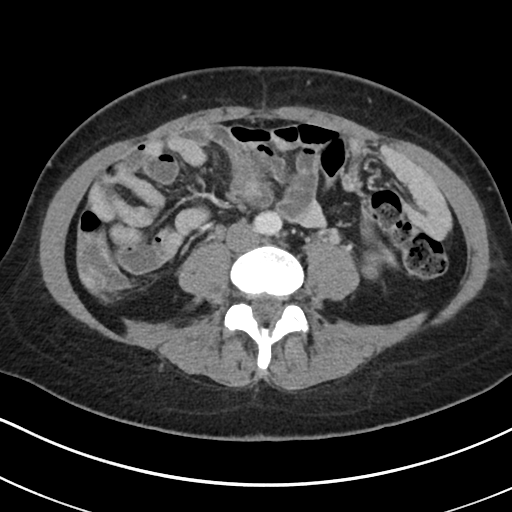
Axial slice 87 of 178 of a contrast-enhanced abdominal CT (slice 1 is the lowest), 100 kVp, kernel I30f; 5.00 mm slice thickness and 0.650 mm pixels.
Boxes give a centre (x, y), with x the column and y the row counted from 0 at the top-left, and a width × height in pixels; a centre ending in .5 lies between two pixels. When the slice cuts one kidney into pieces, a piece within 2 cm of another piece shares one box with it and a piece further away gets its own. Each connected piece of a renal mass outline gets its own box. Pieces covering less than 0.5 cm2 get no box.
Box centre (370.5, 266), 20 × 27 pixels: left kidney (outlined area 408 px, about 1.7 cm2). No renal mass is outlined on this slice.